Abdominal CT with intravenous contrast, arterial phase, axial plane, 120 kVp, kernel I30f. Slice 271/735 from the bottom of the scan; thickness 1.00 mm; pixel size 0.789 mm.
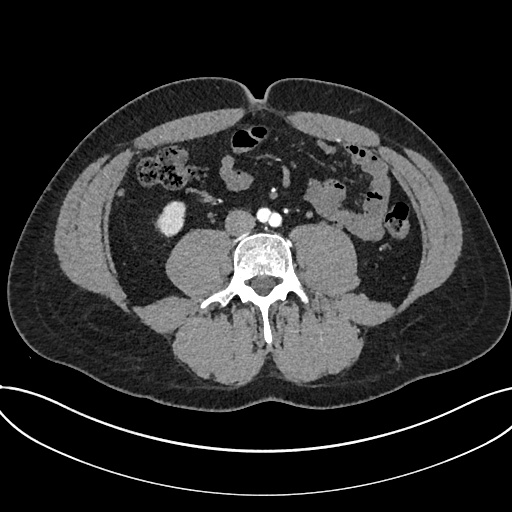
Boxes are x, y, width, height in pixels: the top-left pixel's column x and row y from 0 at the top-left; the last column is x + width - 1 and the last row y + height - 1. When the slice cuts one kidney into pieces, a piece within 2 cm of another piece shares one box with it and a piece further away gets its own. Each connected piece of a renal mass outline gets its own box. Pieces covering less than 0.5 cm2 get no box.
Kidney, box x 155, y 201, width 32, height 37 (outlined area 825 px, about 5.1 cm2). No renal mass outline on this slice.